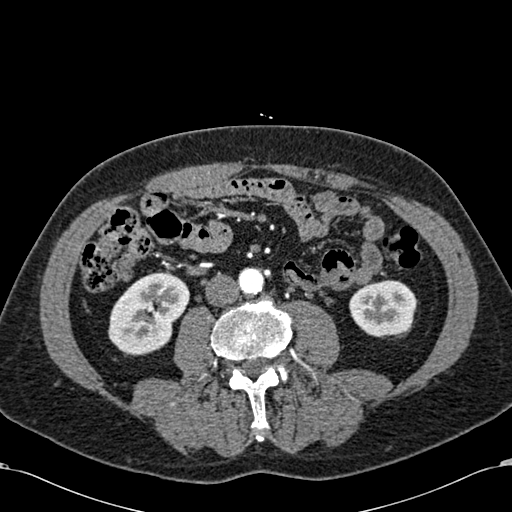
Axial slice 250 of 581 of a contrast-enhanced abdominal CT in the arterial phase (slice 1 is the lowest), 120 kVp, kernel B30f; 1.00 mm slice thickness and 0.713 mm pixels.
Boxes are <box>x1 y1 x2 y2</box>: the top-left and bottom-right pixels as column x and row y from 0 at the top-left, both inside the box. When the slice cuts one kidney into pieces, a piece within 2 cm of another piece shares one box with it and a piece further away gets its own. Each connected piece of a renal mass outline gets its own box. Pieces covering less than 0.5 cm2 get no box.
Boxed on this slice (two kidney boxes), listed by box centre from the image's left to its right: (1) At <box>108 271 189 355</box>: right kidney (outlined area 4,847 px, about 24.6 cm2). (2) At <box>349 280 417 336</box>: left kidney (outlined area 3,109 px, about 15.8 cm2). No renal mass is outlined on this slice.